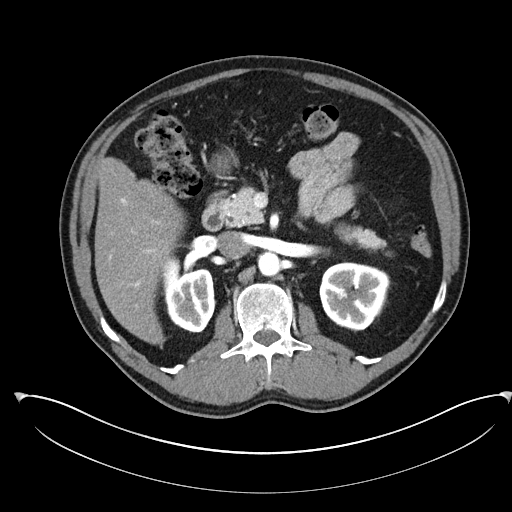
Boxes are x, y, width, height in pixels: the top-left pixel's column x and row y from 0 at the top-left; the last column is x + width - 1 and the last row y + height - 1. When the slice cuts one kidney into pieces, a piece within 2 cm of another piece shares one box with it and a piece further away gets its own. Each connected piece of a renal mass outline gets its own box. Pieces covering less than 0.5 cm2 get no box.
Arterial-phase contrast-enhanced abdominal CT, axial slice 147 of 302 (counted from the lowest slice); 5.00 mm thick, 0.875 mm per pixel. Boxed on this slice (two kidney boxes), listed by box centre from the image's left to its right: (1) Right kidney at x 162, y 256, width 55, height 77 (outlined area 3,049 px, about 23.3 cm2). (2) Left kidney, box x 319, y 261, width 72, height 71 (outlined area 3,851 px, about 29.5 cm2). No renal mass outline on this slice.
Acquired at 100 kVp and reconstructed with the I30f kernel.